Axial slice 414 of 612 of a contrast-enhanced abdominal CT in the arterial phase (slice 1 is the lowest), 120 kVp, kernel I30f; 1.00 mm slice thickness and 0.703 mm pixels.
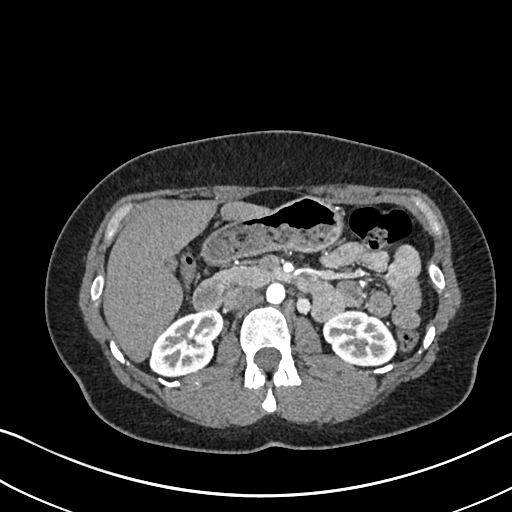
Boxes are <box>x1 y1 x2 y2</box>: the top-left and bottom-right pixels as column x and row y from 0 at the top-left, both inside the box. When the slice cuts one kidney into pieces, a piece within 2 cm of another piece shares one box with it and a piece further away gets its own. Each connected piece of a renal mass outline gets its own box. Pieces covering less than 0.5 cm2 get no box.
Two kidney boxes on this slice; by box centre, from the image's left to its right: (1) Right kidney at <box>149 309 223 377</box> (outlined area 3,493 px, about 17.3 cm2). (2) At <box>322 309 396 366</box>: left kidney (outlined area 3,167 px, about 15.7 cm2). No renal mass is outlined on this slice.